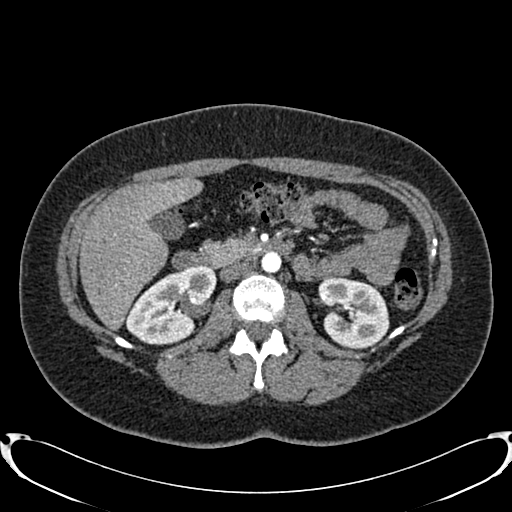
One axial slice (459 of 719, counting up from the lowest) of an arterial-phase abdominal CT acquired with 120 kVp, kernel B20f; each pixel is 0.766 mm and the slice is 1.00 mm thick.
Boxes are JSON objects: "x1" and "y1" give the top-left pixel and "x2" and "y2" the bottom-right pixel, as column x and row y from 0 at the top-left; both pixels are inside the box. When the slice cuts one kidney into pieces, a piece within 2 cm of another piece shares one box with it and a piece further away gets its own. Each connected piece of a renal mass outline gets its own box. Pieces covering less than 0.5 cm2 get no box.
Boxed on this slice (two kidney boxes), listed by box centre from the image's left to its right: (1) Right kidney, box {"x1": 125, "y1": 266, "x2": 215, "y2": 345} (outlined area 4,820 px, about 28.3 cm2). (2) Left kidney, box {"x1": 318, "y1": 277, "x2": 389, "y2": 348} (outlined area 3,964 px, about 23.2 cm2). No renal mass outline on this slice.